Arterial-phase contrast-enhanced abdominal CT, axial slice 41 of 66 (counted from the lowest slice); tube voltage 120 kVp, convolution kernel B30f; slices 5.00 mm thick, 0.678 mm per pixel.
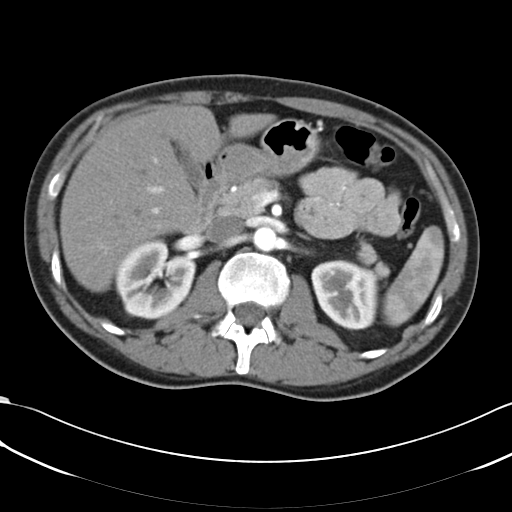
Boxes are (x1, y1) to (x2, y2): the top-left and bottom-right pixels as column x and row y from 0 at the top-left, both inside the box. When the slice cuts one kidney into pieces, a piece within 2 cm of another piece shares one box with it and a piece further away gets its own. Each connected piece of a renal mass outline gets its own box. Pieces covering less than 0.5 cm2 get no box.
Two boxes on this slice (two kidney boxes), listed by box centre from the image's left to its right. (1) Right kidney from (115, 240) to (196, 319) (outlined area 4,859 px, about 22.3 cm2). (2) Box (311, 259) to (378, 329): left kidney (outlined area 3,783 px, about 17.4 cm2). No renal mass is outlined on this slice.